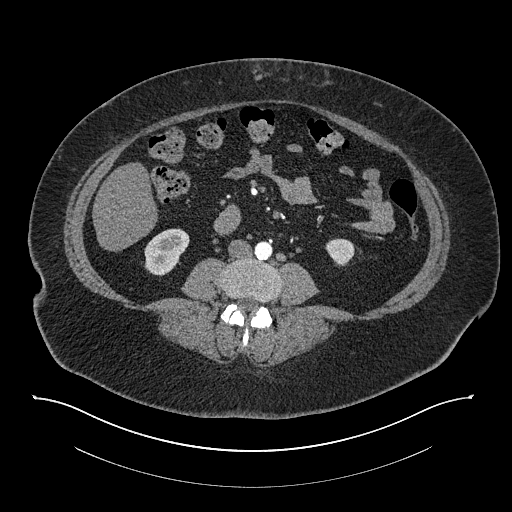
Axial slice 352 of 673 of a contrast-enhanced abdominal CT in the arterial phase (slice 1 is the lowest), 140 kVp, kernel I30f; 1.00 mm slice thickness and 0.957 mm pixels.
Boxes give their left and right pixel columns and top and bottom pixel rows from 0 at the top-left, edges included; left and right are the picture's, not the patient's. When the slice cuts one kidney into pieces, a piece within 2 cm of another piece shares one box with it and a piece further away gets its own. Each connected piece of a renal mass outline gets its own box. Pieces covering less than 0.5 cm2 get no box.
Boxed on this slice (two kidney boxes), listed by box centre from the image's left to its right: (1) Box with left 144, top 228, right 189, bottom 275: right kidney (outlined area 1,548 px, about 14.2 cm2). (2) Box with left 325, top 238, right 354, bottom 266: left kidney (outlined area 626 px, about 5.7 cm2). This slice carries no renal mass outline.